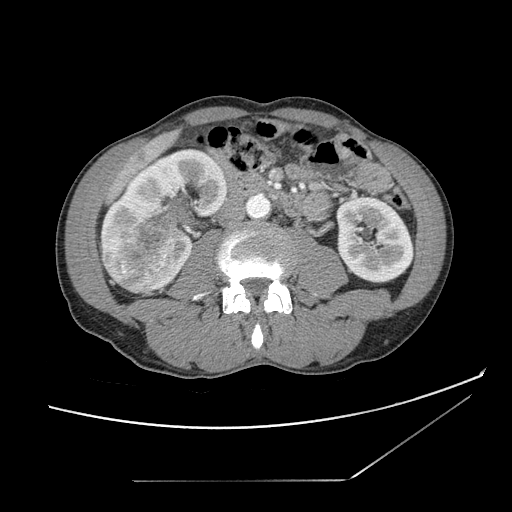
Contrast-enhanced abdominal CT, axial slice 49 of 121 (counted from the lowest slice); tube voltage 120 kVp, convolution kernel STANDARD; slices 2.50 mm thick, 0.742 mm per pixel.
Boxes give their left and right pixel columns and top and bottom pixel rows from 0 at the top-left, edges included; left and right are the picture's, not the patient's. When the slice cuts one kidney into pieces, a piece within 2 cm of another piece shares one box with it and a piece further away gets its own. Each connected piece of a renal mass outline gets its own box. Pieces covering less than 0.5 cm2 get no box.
Two kidney boxes and one renal mass box on this slice; by box centre, from the image's left to its right: (1) Right renal mass in the box with left 101, top 218, right 197, bottom 293 (outlined area 4,930 px, about 27.2 cm2). (2) Box with left 99, top 148, right 226, bottom 255: right kidney (outlined area 7,488 px, about 41.2 cm2). (3) Box with left 336, top 196, right 413, bottom 281: left kidney (outlined area 5,221 px, about 28.8 cm2).